One axial slice (649 of 987, counting up from the lowest) of an arterial-phase abdominal CT acquired with 120 kVp, kernel I26f; each pixel is 0.977 mm and the slice is 1.00 mm thick.
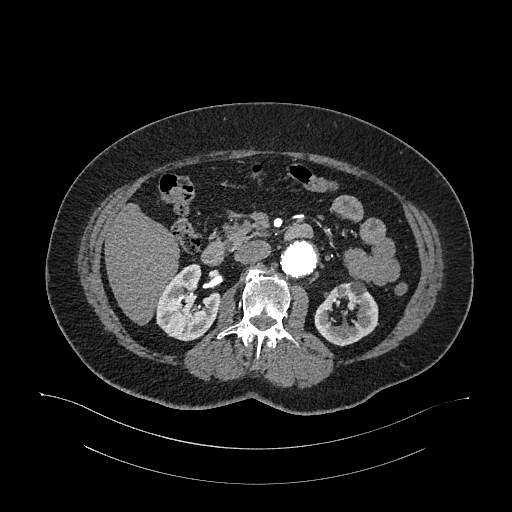
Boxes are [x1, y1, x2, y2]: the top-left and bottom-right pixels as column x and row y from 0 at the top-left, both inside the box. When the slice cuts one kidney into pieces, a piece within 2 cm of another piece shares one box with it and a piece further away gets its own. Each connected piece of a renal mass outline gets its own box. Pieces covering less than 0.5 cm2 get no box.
Two kidney boxes on this slice; by box centre, from the image's left to its right: (1) Right kidney at [155, 264, 220, 341] (outlined area 3,380 px, about 32.2 cm2). (2) Left kidney at [314, 280, 378, 346] (outlined area 2,782 px, about 26.5 cm2). No renal mass outline on this slice.